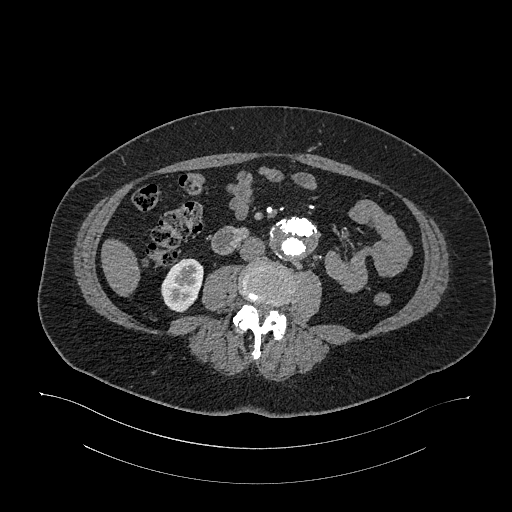
Abdominal CT with intravenous contrast, arterial phase, axial plane, 120 kVp, kernel I26f. Slice 553/987 from the bottom of the scan; thickness 1.00 mm; pixel size 0.977 mm.
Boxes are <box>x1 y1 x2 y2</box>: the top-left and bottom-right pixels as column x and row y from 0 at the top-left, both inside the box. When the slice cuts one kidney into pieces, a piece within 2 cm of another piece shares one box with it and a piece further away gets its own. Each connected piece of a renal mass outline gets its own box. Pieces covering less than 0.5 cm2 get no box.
Right kidney: <box>161 258 203 312</box> (outlined area 1,716 px, about 16.4 cm2). No renal mass outline on this slice.